One axial slice (324 of 439, counting up from the lowest) of a contrast-enhanced abdominal CT acquired with 100 kVp, kernel I40f; each pixel is 0.850 mm and the slice is 2.00 mm thick.
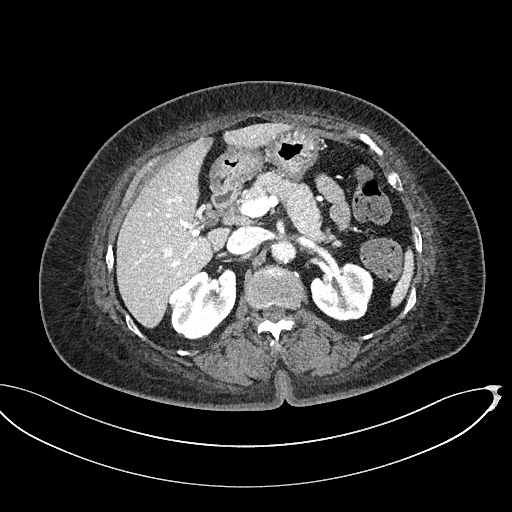
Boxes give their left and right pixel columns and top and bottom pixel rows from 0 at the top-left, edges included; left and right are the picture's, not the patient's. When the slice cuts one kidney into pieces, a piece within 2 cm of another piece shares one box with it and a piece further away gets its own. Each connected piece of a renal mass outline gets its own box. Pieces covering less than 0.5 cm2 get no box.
Three boxes on this slice (two kidney boxes and one renal mass box), listed by box centre from the image's left to its right. (1) Right renal mass in the box with left 169, top 284, right 192, bottom 308 (outlined area 459 px, about 3.3 cm2). (2) Box with left 172, top 269, right 236, bottom 339: right kidney (outlined area 3,027 px, about 21.8 cm2). (3) Left kidney in the box with left 311, top 263, right 373, bottom 321 (outlined area 2,783 px, about 20.1 cm2).